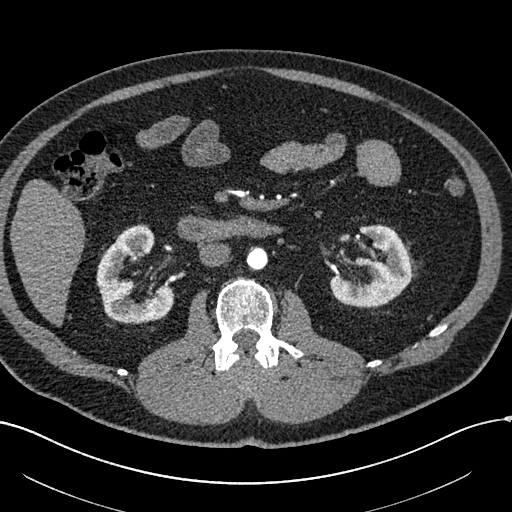
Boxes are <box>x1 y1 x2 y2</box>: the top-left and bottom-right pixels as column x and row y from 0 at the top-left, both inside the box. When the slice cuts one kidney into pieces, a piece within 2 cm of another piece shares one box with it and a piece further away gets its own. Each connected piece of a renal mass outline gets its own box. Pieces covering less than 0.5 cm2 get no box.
Arterial-phase contrast-enhanced abdominal CT, axial slice 313 of 602 (counted from the lowest slice); 1.00 mm thick, 0.799 mm per pixel. Two boxes on this slice (two kidney boxes), listed by box centre from the image's left to its right. (1) Right kidney: <box>96 224 174 322</box> (outlined area 4,580 px, about 29.2 cm2). (2) At <box>329 224 411 307</box>: left kidney (outlined area 4,409 px, about 28.1 cm2). This slice carries no renal mass outline.
Scan settings: 120 kVp, I30f reconstruction kernel.